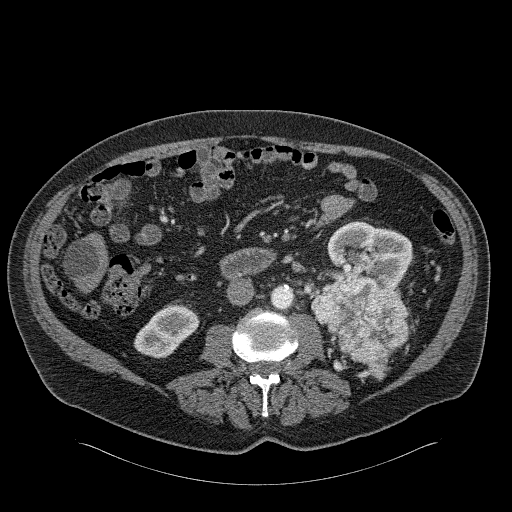
Arterial-phase contrast-enhanced abdominal CT, axial slice 96 of 326 (counted from the lowest slice); tube voltage 120 kVp, convolution kernel B31f; slices 2.00 mm thick, 0.963 mm per pixel.
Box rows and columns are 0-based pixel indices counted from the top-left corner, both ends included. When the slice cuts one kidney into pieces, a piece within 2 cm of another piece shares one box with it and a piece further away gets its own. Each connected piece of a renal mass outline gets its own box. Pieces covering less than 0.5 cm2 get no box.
Three boxes on this slice (two kidney boxes and one renal mass box), listed by box centre from the image's left to its right. (1) Right kidney at rows 303–358, columns 134–199 (outlined area 2,318 px, about 21.5 cm2). (2) Left renal mass, box rows 278–380, columns 310–409 (outlined area 6,198 px, about 57.5 cm2). (3) Box rows 221–300, columns 311–413: left kidney (outlined area 4,764 px, about 44.2 cm2).